Abdominal CT with intravenous contrast, axial plane, 120 kVp, kernel B31f. Slice 185/274 from the bottom of the scan; thickness 2.00 mm; pixel size 0.977 mm.
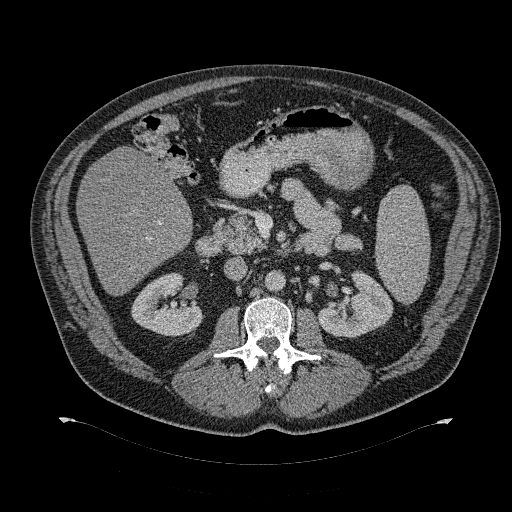
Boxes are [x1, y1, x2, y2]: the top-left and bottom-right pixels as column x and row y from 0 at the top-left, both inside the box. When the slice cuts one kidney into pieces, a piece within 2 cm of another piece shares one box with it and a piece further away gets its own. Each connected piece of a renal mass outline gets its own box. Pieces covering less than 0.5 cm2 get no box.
Boxed on this slice (two kidney boxes), listed by box centre from the image's left to its right: (1) Right kidney at [131, 273, 203, 336] (outlined area 3,220 px, about 30.7 cm2). (2) Left kidney, box [318, 271, 393, 338] (outlined area 3,215 px, about 30.7 cm2). No renal mass outline on this slice.